Contrast-enhanced abdominal CT, axial slice 333 of 433 (counted from the lowest slice); tube voltage 120 kVp, convolution kernel B30f; slices 1.00 mm thick, 0.672 mm per pixel.
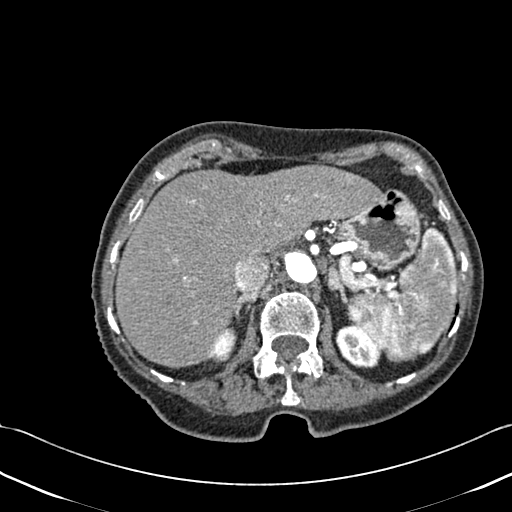
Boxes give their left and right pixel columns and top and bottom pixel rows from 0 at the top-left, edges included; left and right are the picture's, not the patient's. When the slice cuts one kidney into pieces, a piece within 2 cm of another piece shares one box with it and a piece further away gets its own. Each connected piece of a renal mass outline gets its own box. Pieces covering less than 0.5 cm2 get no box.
Two kidney boxes on this slice; by box centre, from the image's left to its right: (1) Right kidney, the box with left 210, top 322, right 236, bottom 362 (outlined area 654 px, about 3.0 cm2). (2) Left kidney in the box with left 335, top 324, right 382, bottom 368 (outlined area 1,466 px, about 6.6 cm2). This slice carries no renal mass outline.